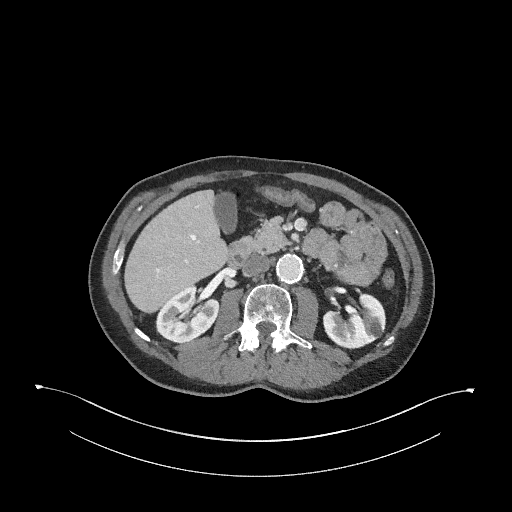
Abdominal CT with intravenous contrast, arterial phase, axial plane, 120 kVp, kernel I31f. Slice 155/345 from the bottom of the scan; thickness 2.00 mm; pixel size 0.977 mm.
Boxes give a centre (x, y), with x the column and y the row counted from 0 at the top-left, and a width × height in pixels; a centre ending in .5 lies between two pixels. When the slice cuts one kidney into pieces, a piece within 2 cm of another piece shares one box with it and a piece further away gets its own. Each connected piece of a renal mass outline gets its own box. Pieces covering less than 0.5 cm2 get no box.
Two boxes on this slice (two kidney boxes), listed by box centre from the image's left to its right. (1) Right kidney, box centre (187, 313.5), 65 × 60 pixels (outlined area 2,640 px, about 25.2 cm2). (2) Left kidney in a box with centre (353.5, 320), 64 × 57 pixels (outlined area 2,560 px, about 24.4 cm2). No renal mass is outlined on this slice.